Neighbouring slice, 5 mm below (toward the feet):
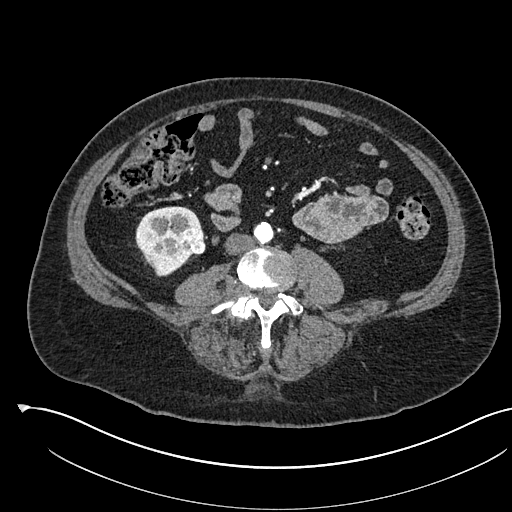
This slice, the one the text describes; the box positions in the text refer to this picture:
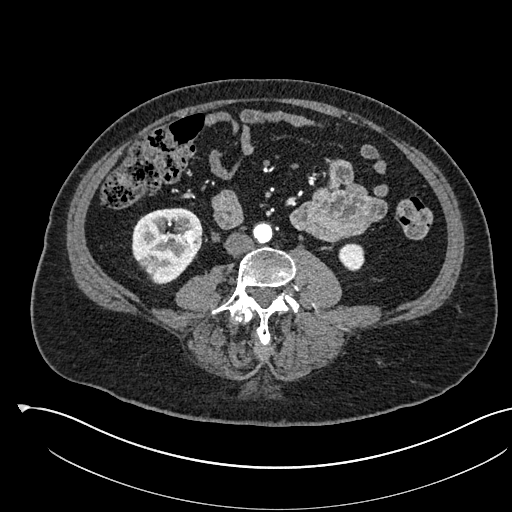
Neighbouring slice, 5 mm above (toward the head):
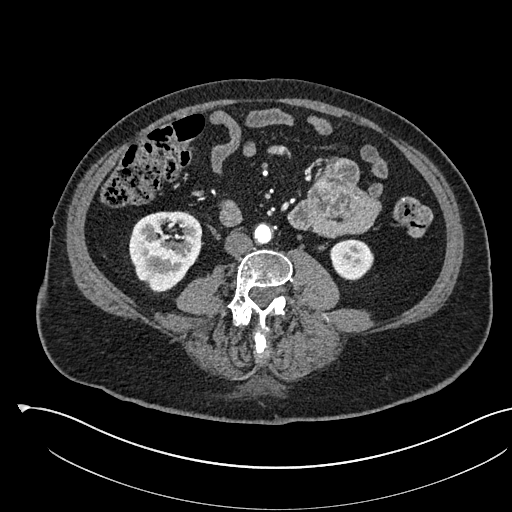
Arterial-phase contrast-enhanced abdominal CT, axial slice 222 of 541 (counted from the lowest slice); tube voltage 120 kVp, convolution kernel I30f; slices 1.00 mm thick, 0.834 mm per pixel.
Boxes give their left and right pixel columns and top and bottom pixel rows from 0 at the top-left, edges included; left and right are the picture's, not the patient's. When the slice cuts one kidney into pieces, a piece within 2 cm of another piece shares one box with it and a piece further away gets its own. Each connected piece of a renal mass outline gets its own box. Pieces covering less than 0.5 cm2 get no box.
Three boxes on this slice (two kidney boxes and one renal mass box), listed by box centre from the image's left to its right. (1) Right kidney, the box with left 131, top 208, right 202, bottom 284 (outlined area 3,953 px, about 27.5 cm2). (2) Right renal mass in the box with left 183, top 230, right 198, bottom 243 (outlined area 183 px, about 1.3 cm2). (3) Left kidney in the box with left 338, top 243, right 364, bottom 271 (outlined area 603 px, about 4.2 cm2). This slice lies near the end of the right renal mass toward the head; the slices 5 mm below and 5 mm above it are shown too, and the boxes mark positions on this slice only.